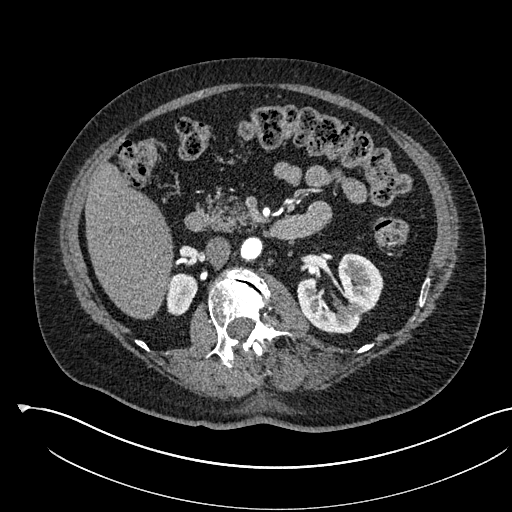
Axial slice 331 of 541 of a contrast-enhanced abdominal CT in the arterial phase (slice 1 is the lowest), 120 kVp, kernel I30f; 1.00 mm slice thickness and 0.834 mm pixels.
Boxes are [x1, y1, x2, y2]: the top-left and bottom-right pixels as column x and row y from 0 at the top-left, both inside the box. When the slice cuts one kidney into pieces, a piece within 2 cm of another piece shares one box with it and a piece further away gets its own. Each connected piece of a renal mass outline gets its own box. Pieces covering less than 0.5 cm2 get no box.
Two boxes on this slice (two kidney boxes), listed by box centre from the image's left to its right. (1) Box [167, 273, 197, 315]: right kidney (outlined area 1,041 px, about 7.2 cm2). (2) Box [297, 252, 383, 333]: left kidney (outlined area 4,533 px, about 31.5 cm2). No renal mass outline on this slice.